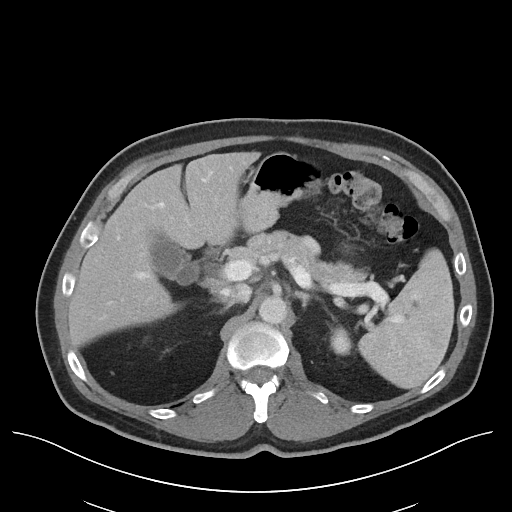
Arterial-phase contrast-enhanced abdominal CT, axial slice 76 of 96 (counted from the lowest slice); tube voltage 120 kVp, convolution kernel I40f; slices 5.00 mm thick, 0.840 mm per pixel.
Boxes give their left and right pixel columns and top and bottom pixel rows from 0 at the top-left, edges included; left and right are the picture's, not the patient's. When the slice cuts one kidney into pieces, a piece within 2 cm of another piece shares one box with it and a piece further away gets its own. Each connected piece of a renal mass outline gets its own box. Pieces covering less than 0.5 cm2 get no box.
Left kidney in the box with left 331, top 327, right 351, bottom 354 (outlined area 462 px, about 3.3 cm2). No renal mass outline on this slice.